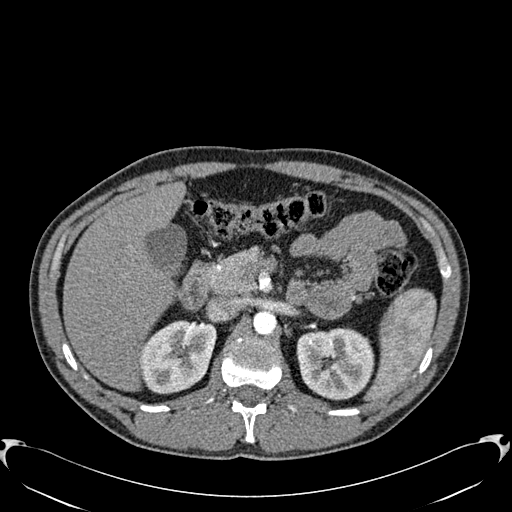
One axial slice (399 of 512, counting up from the lowest) of an arterial-phase abdominal CT acquired with 120 kVp, kernel B30f; each pixel is 0.771 mm and the slice is 1.00 mm thick.
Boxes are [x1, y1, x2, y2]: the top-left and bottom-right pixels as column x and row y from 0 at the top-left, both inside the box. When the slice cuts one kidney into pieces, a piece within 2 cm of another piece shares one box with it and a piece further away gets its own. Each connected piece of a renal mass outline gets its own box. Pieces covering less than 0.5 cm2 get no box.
Two kidney boxes on this slice; by box centre, from the image's left to its right: (1) Right kidney, box [140, 320, 216, 394] (outlined area 4,347 px, about 25.9 cm2). (2) Left kidney, box [296, 328, 374, 400] (outlined area 4,577 px, about 27.2 cm2). No renal mass outline on this slice.